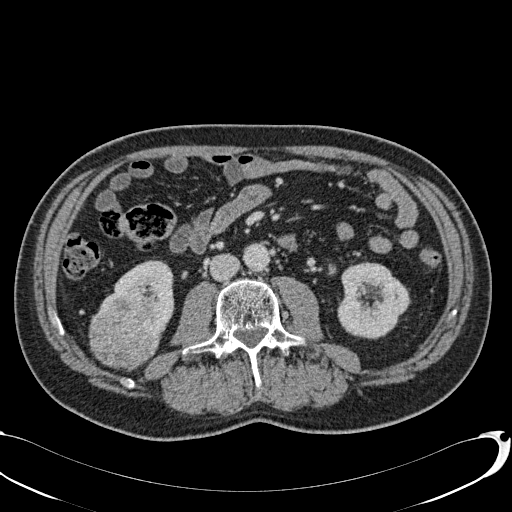
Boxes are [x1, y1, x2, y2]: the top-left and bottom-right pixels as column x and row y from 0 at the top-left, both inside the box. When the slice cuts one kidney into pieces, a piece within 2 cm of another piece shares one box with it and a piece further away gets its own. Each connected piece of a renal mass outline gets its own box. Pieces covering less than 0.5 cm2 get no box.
This is axial slice 24 of 113 (slice 1 is the lowest) of an abdominal CT with contrast; each pixel is 0.742 mm and the slice is 2.00 mm thick. Two kidney boxes and one renal mass box on this slice; by box centre, from the image's left to its right: (1) Right renal mass, box [88, 299, 161, 370] (outlined area 4,044 px, about 22.3 cm2). (2) Box [98, 260, 174, 332]: right kidney (outlined area 2,680 px, about 14.8 cm2). (3) Left kidney at [336, 262, 411, 338] (outlined area 4,275 px, about 23.5 cm2).
Scan settings: 120 kVp, B31f reconstruction kernel.